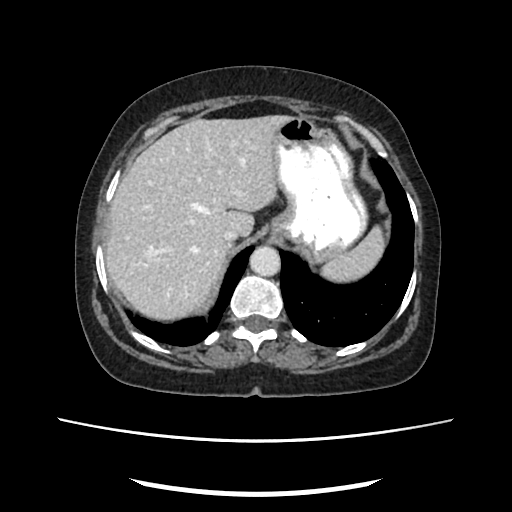
Arterial-phase contrast-enhanced abdominal CT, axial slice 176 of 207 (counted from the lowest slice); tube voltage 120 kVp, convolution kernel FC18; slices 2.00 mm thick, 0.741 mm per pixel.
This slice carries no outline: it lies beyond the outlined kidneys and beyond every outlined renal mass. Other organs are not outlined in this scan.